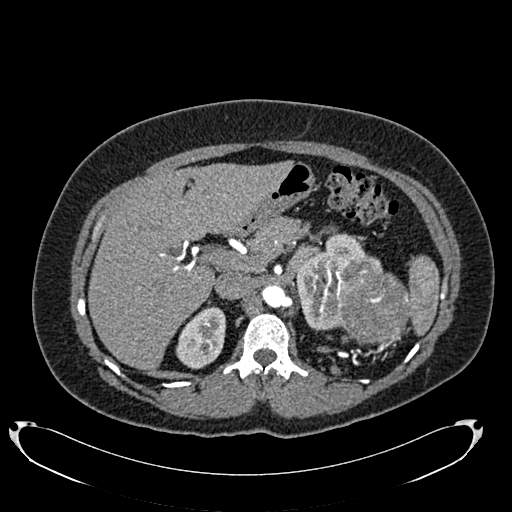
Abdominal CT with intravenous contrast, arterial phase, axial plane, 120 kVp, kernel B20f. Slice 507/634 from the bottom of the scan; thickness 1.00 mm; pixel size 0.838 mm.
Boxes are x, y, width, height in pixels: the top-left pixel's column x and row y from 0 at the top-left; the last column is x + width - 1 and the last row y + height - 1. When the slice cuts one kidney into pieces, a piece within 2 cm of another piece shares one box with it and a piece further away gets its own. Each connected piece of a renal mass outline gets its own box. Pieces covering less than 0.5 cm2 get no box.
Two kidney boxes and one renal mass box on this slice; by box centre, from the image's left to its right: (1) Right kidney, box x 175, y 306, width 52, height 64 (outlined area 2,315 px, about 16.3 cm2). (2) Box x 295, y 233, width 89, height 97: left kidney (outlined area 4,351 px, about 30.5 cm2). (3) Left renal mass at x 335, y 272, width 77, height 73 (outlined area 4,500 px, about 31.6 cm2).